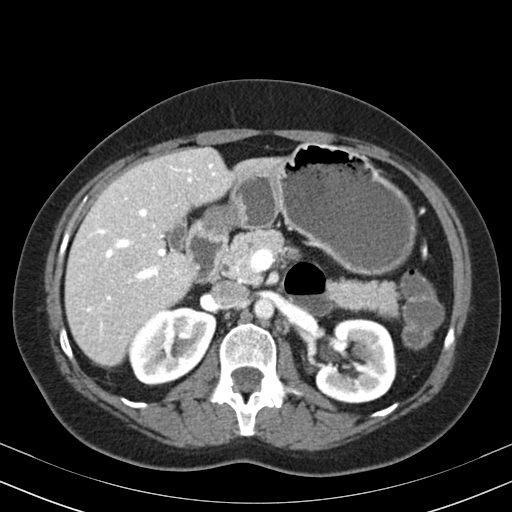
Axial slice 120 of 164 of a contrast-enhanced abdominal CT in the arterial phase (slice 1 is the lowest), 130 kVp, kernel B30s; 3.00 mm slice thickness and 0.664 mm pixels.
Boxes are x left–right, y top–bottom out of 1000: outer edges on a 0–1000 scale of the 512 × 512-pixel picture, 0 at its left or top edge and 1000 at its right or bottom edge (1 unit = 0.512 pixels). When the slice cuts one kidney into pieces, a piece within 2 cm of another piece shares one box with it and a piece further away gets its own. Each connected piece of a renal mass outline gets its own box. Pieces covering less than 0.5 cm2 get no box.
Two boxes on this slice (two kidney boxes), listed by box centre from the image's left to its right. (1) Right kidney at x 250–424, y 600–754 out of 1000 (outlined area 5,039 px, about 22.2 cm2). (2) Box x 615–775, y 621–789 out of 1000: left kidney (outlined area 5,498 px, about 24.2 cm2). No renal mass is outlined on this slice.